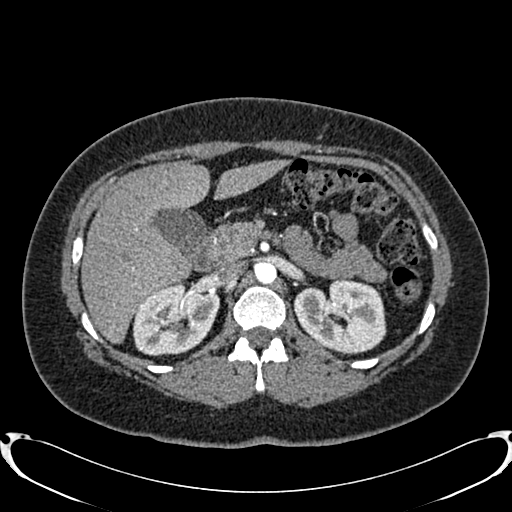
Axial slice 522 of 719 of a contrast-enhanced abdominal CT in the arterial phase (slice 1 is the lowest), 120 kVp, kernel B20f; 1.00 mm slice thickness and 0.766 mm pixels.
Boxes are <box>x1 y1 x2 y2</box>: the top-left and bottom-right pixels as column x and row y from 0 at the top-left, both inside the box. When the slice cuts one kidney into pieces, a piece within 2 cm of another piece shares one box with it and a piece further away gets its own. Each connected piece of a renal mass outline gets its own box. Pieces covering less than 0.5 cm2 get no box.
Boxed on this slice (two kidney boxes), listed by box centre from the image's left to its right: (1) At <box>133 282 219 355</box>: right kidney (outlined area 4,849 px, about 28.4 cm2). (2) Left kidney: <box>293 277 386 354</box> (outlined area 5,319 px, about 31.2 cm2). No renal mass outline on this slice.